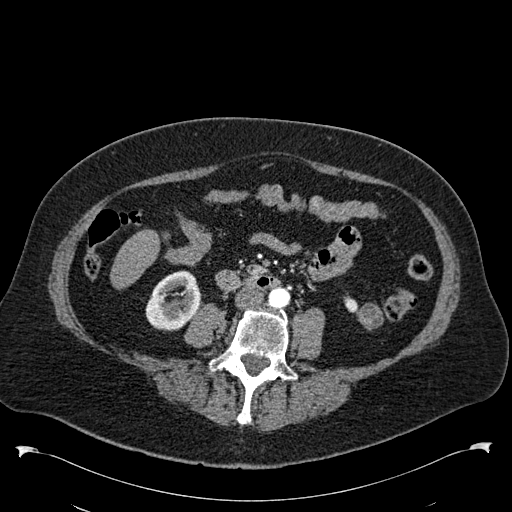
Abdominal CT with intravenous contrast, arterial phase, axial plane, 120 kVp, kernel B30f. Slice 227/538 from the bottom of the scan; thickness 1.00 mm; pixel size 0.811 mm.
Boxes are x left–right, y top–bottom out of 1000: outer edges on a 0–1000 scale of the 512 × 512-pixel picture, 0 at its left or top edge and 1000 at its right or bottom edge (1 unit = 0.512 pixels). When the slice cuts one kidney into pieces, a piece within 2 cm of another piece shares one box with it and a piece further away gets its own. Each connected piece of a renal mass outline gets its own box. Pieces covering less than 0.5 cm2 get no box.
Two kidney boxes and one renal mass box on this slice; by box centre, from the image's left to its right: (1) Box x 283–395, y 527–648 out of 1000: right kidney (outlined area 2,450 px, about 16.1 cm2). (2) Left kidney at x 670–697, y 576–611 out of 1000 (outlined area 150 px, about 1.0 cm2). (3) Left renal mass at x 686–750, y 592–646 out of 1000 (outlined area 581 px, about 3.8 cm2).